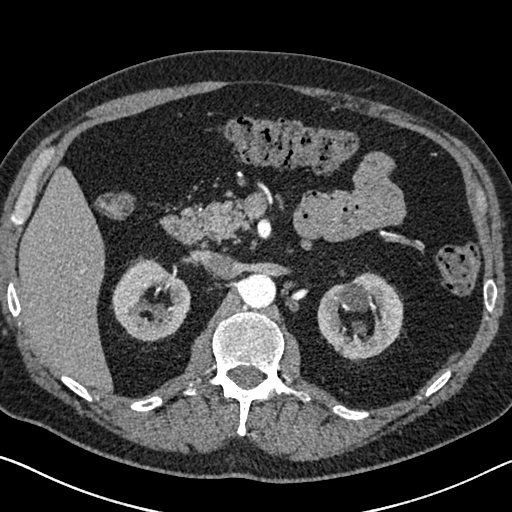
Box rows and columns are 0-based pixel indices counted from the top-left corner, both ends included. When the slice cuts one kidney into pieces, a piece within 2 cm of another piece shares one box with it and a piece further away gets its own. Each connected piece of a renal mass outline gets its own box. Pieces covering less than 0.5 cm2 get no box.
Slice 438/626 of a contrast-enhanced abdominal CT in the arterial phase, counting up from the lowest; pixel size 0.703 mm, slice thickness 1.00 mm. Two boxes on this slice (two kidney boxes), listed by box centre from the image's left to its right. (1) Right kidney at rows 256–341, columns 111–190 (outlined area 4,539 px, about 22.4 cm2). (2) Box rows 272–361, columns 317–403: left kidney (outlined area 5,186 px, about 25.6 cm2). This slice carries no renal mass outline.
Scan settings: 120 kVp, I30f reconstruction kernel.